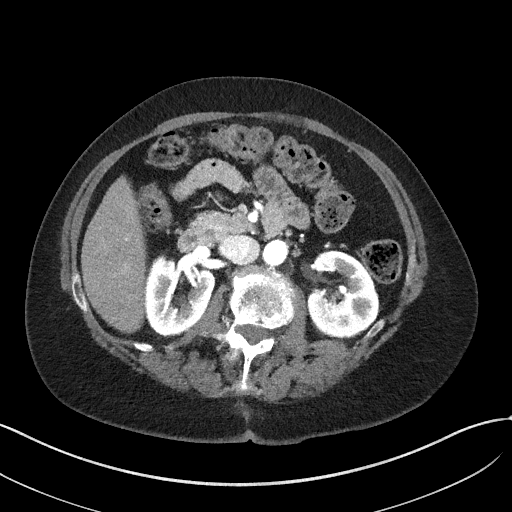
Arterial-phase contrast-enhanced abdominal CT, axial slice 26 of 50 (counted from the lowest slice); tube voltage 100 kVp, convolution kernel I41f; slices 3.00 mm thick, 0.758 mm per pixel.
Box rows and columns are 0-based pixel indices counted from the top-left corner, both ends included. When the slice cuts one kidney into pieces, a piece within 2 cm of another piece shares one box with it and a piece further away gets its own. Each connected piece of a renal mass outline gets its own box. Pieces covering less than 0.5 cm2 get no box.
Boxed on this slice (two kidney boxes), listed by box centre from the image's left to its right: (1) Box rows 256–336, columns 145–214: right kidney (outlined area 4,096 px, about 23.5 cm2). (2) Box rows 250–338, columns 308–379: left kidney (outlined area 4,774 px, about 27.4 cm2). This slice carries no renal mass outline.